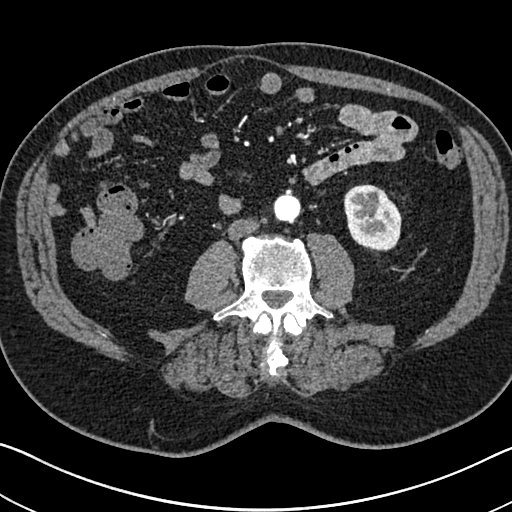
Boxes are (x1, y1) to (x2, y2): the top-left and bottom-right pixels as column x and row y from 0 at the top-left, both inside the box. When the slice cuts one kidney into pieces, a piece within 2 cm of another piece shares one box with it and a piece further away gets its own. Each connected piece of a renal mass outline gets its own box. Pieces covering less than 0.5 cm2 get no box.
This is axial slice 304 of 705 (slice 1 is the lowest) of an arterial-phase abdominal CT with contrast; each pixel is 0.703 mm and the slice is 1.00 mm thick. Left kidney, box (343, 184) to (401, 251) (outlined area 3,065 px, about 15.2 cm2). No renal mass outline on this slice.
Scan settings: 120 kVp, I30f reconstruction kernel.